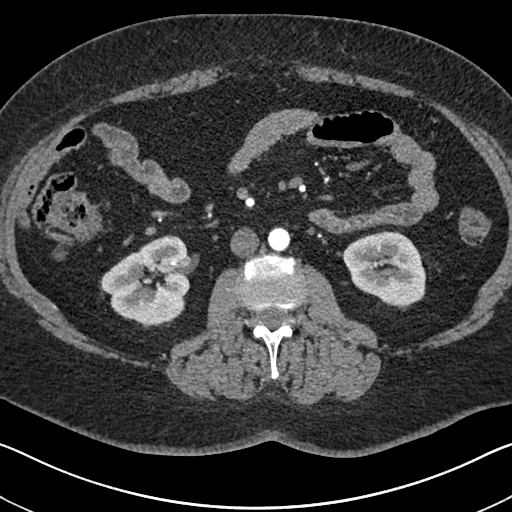
Abdominal CT with intravenous contrast, arterial phase, axial plane, 140 kVp, kernel I30f. Slice 346/591 from the bottom of the scan; thickness 1.00 mm; pixel size 0.703 mm.
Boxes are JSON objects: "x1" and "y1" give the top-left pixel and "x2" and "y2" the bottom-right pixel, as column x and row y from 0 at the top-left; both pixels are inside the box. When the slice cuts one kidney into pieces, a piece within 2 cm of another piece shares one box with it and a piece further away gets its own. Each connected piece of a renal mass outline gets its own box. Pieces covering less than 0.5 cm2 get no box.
Two kidney boxes on this slice; by box centre, from the image's left to its right: (1) Box {"x1": 100, "y1": 235, "x2": 190, "y2": 328}: right kidney (outlined area 5,831 px, about 28.8 cm2). (2) Box {"x1": 342, "y1": 231, "x2": 425, "y2": 306}: left kidney (outlined area 4,703 px, about 23.3 cm2). No renal mass outline on this slice.